Abdominal CT with intravenous contrast, axial plane, 100 kVp, kernel I40f. Slice 239/470 from the bottom of the scan; thickness 2.00 mm; pixel size 0.824 mm.
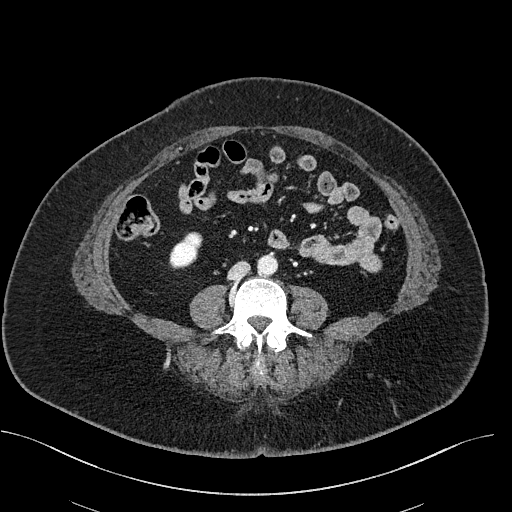
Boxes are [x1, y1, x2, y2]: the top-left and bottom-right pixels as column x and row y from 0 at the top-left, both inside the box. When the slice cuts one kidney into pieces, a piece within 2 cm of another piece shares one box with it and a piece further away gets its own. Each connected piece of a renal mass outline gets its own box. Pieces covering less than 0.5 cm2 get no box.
Box [169, 232, 202, 268]: right kidney (outlined area 840 px, about 5.7 cm2). No renal mass is outlined on this slice.